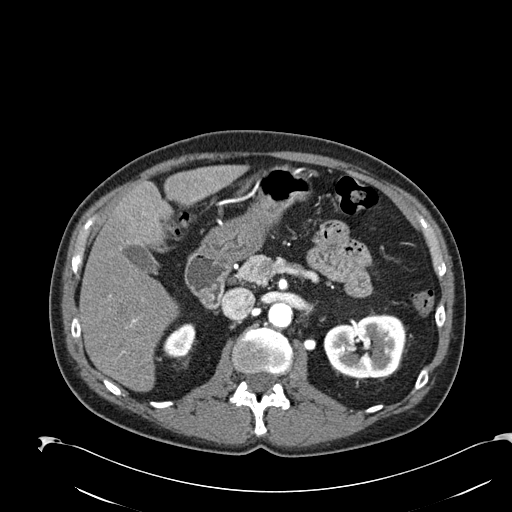
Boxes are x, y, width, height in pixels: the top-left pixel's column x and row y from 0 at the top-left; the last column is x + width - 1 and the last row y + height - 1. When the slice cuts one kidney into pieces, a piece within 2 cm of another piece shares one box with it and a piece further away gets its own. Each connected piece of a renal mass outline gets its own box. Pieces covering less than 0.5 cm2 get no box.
Slice 138/274 of a contrast-enhanced abdominal CT in the arterial phase, counting up from the lowest; pixel size 0.809 mm, slice thickness 2.00 mm. Two kidney boxes on this slice; by box centre, from the image's left to its right: (1) Right kidney at x 163, y 323, width 33, height 36 (outlined area 854 px, about 5.6 cm2). (2) Left kidney at x 323, y 314, width 83, height 64 (outlined area 4,214 px, about 27.6 cm2). No renal mass is outlined on this slice.
Acquired at 120 kVp and reconstructed with the B30f kernel.